One axial slice (69 of 207, counting up from the lowest) of an arterial-phase abdominal CT acquired with 120 kVp, kernel FC18; each pixel is 0.741 mm and the slice is 2.00 mm thick.
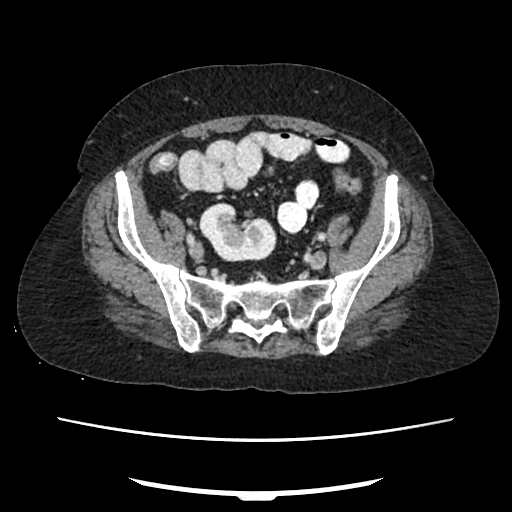
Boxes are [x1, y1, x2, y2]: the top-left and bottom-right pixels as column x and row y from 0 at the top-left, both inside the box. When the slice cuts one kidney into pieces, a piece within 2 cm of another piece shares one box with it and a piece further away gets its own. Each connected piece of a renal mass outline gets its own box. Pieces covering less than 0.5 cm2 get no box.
Right kidney at [199, 202, 276, 261] (outlined area 3,287 px, about 18.0 cm2). No renal mass is outlined on this slice.